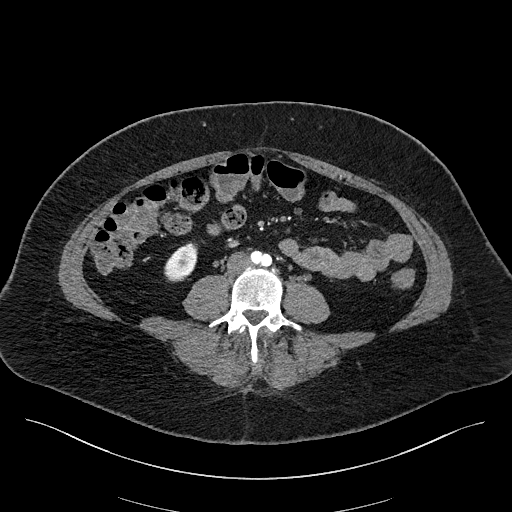
One axial slice (45 of 270, counting up from the lowest) of an arterial-phase abdominal CT acquired with 100 kVp, kernel I40f; each pixel is 0.855 mm and the slice is 2.00 mm thick.
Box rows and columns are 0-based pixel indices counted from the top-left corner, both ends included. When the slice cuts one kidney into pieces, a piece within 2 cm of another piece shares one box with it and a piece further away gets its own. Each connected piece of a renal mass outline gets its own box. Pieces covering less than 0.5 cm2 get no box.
Right kidney, box rows 242–281, columns 164–197 (outlined area 950 px, about 7.0 cm2). No renal mass outline on this slice.